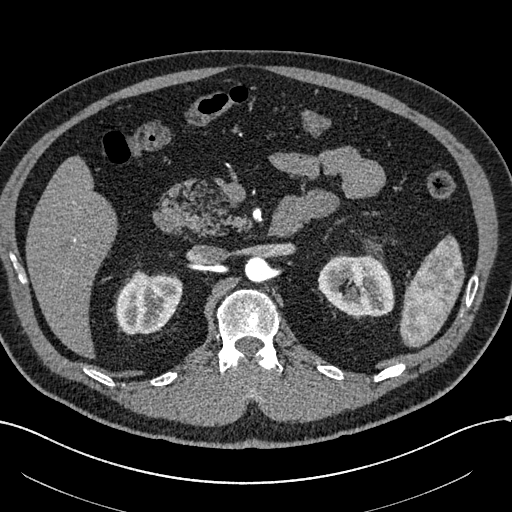
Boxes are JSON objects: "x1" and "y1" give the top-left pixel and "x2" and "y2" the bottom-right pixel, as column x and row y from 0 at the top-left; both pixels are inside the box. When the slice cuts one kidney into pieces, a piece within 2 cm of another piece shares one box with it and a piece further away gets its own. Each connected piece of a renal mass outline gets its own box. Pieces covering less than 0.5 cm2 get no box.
This is axial slice 386 of 602 (slice 1 is the lowest) of an arterial-phase abdominal CT with contrast; each pixel is 0.799 mm and the slice is 1.00 mm thick. Two kidney boxes on this slice; by box centre, from the image's left to its right: (1) Right kidney, box {"x1": 115, "y1": 270, "x2": 182, "y2": 334} (outlined area 3,290 px, about 21.0 cm2). (2) Box {"x1": 318, "y1": 255, "x2": 393, "y2": 316}: left kidney (outlined area 3,759 px, about 24.0 cm2). This slice carries no renal mass outline.
Scan settings: 120 kVp, I30f reconstruction kernel.